Abdominal CT with intravenous contrast, arterial phase, axial plane, 120 kVp, kernel I30f. Slice 431/626 from the bottom of the scan; thickness 1.00 mm; pixel size 0.703 mm.
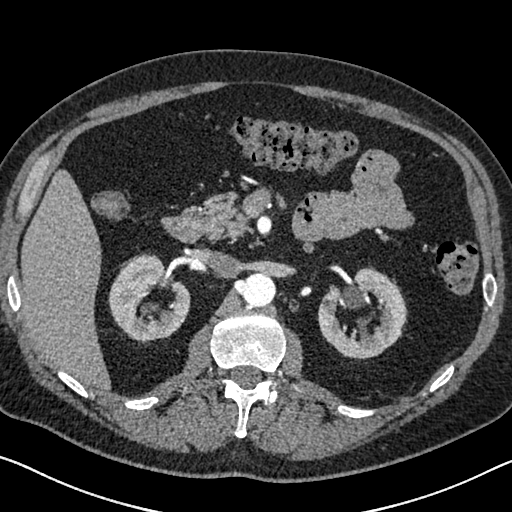
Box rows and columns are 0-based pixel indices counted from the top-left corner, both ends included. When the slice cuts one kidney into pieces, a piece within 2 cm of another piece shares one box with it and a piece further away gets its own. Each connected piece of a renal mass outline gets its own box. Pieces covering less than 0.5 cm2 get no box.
Boxed on this slice (two kidney boxes), listed by box centre from the image's left to its right: (1) Right kidney, box rows 253–343, columns 108–190 (outlined area 4,879 px, about 24.1 cm2). (2) Left kidney at rows 266–359, columns 317–407 (outlined area 5,286 px, about 26.1 cm2). This slice carries no renal mass outline.